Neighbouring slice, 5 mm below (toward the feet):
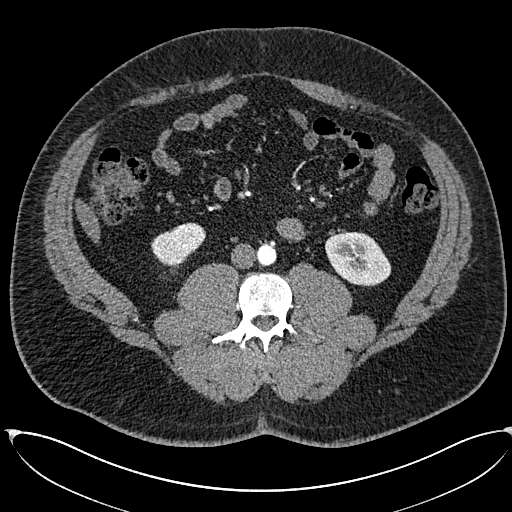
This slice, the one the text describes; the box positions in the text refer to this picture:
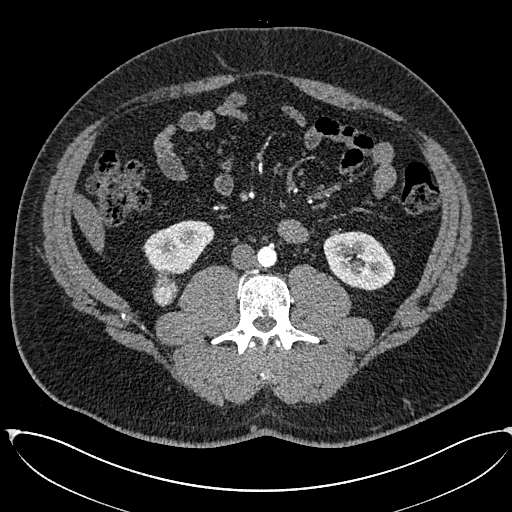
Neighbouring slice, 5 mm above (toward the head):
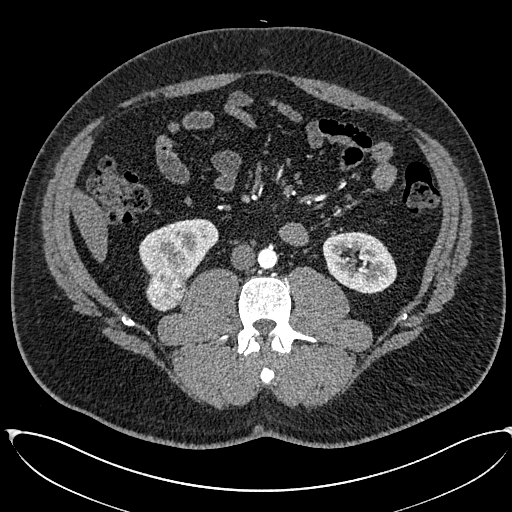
Axial slice 265 of 673 of a contrast-enhanced abdominal CT in the arterial phase (slice 1 is the lowest), 120 kVp, kernel I30f; 1.00 mm slice thickness and 0.855 mm pixels.
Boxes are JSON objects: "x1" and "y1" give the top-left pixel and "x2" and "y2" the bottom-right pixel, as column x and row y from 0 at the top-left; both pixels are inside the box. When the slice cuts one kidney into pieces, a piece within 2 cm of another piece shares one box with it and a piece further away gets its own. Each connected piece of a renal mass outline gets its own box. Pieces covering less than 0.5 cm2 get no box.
Two kidney boxes and one renal mass box on this slice; by box centre, from the image's left to its right: (1) Box {"x1": 152, "y1": 279, "x2": 178, "y2": 306}: right renal mass (outlined area 551 px, about 4.0 cm2). (2) Right kidney, box {"x1": 142, "y1": 220, "x2": 214, "y2": 274} (outlined area 2,711 px, about 19.8 cm2). (3) Left kidney at {"x1": 323, "y1": 231, "x2": 395, "y2": 290} (outlined area 3,162 px, about 23.1 cm2). This slice is near the end of the right renal mass toward the feet, so the slices 5 mm below and 5 mm above it are shown as well; the boxes refer to this slice only.